Contrast-enhanced abdominal CT, axial slice 456 of 787 (counted from the lowest slice); tube voltage 140 kVp, convolution kernel I30f; slices 1.00 mm thick, 0.910 mm per pixel.
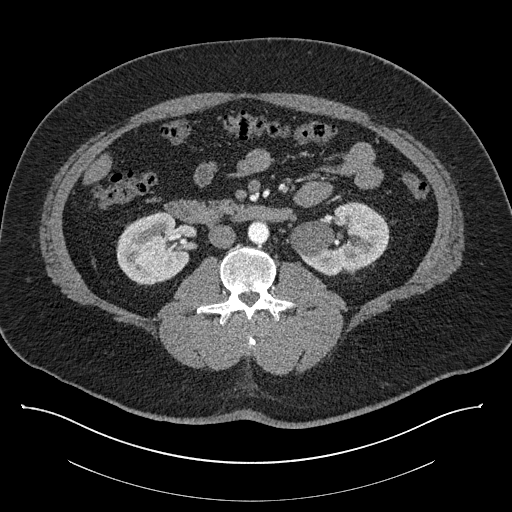
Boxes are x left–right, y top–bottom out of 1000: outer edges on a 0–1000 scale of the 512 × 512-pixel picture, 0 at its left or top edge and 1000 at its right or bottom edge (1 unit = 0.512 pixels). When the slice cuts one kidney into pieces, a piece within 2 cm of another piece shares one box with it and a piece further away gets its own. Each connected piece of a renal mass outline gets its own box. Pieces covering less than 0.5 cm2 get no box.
Boxed on this slice (two kidney boxes), listed by box centre from the image's left to its right: (1) Right kidney, box x 227–371, y 412–559 out of 1000 (outlined area 4,073 px, about 33.7 cm2). (2) Box x 564–762, y 393–539 out of 1000: left kidney (outlined area 5,102 px, about 42.3 cm2). No renal mass is outlined on this slice.